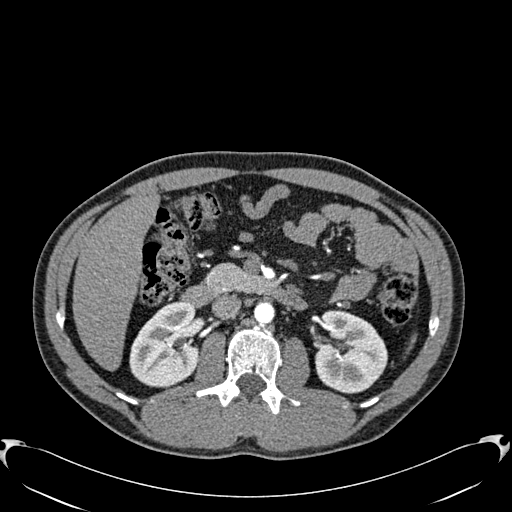
Axial slice 354 of 512 of a contrast-enhanced abdominal CT in the arterial phase (slice 1 is the lowest), 120 kVp, kernel B30f; 1.00 mm slice thickness and 0.771 mm pixels.
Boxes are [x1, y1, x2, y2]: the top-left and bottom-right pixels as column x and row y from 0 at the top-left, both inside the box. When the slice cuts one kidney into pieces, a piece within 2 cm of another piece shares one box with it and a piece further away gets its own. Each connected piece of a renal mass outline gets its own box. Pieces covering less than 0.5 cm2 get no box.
Boxed on this slice (two kidney boxes), listed by box centre from the image's left to its right: (1) Right kidney, box [129, 301, 199, 386] (outlined area 4,538 px, about 27.0 cm2). (2) Left kidney at [314, 310, 387, 393] (outlined area 4,668 px, about 27.8 cm2). This slice carries no renal mass outline.